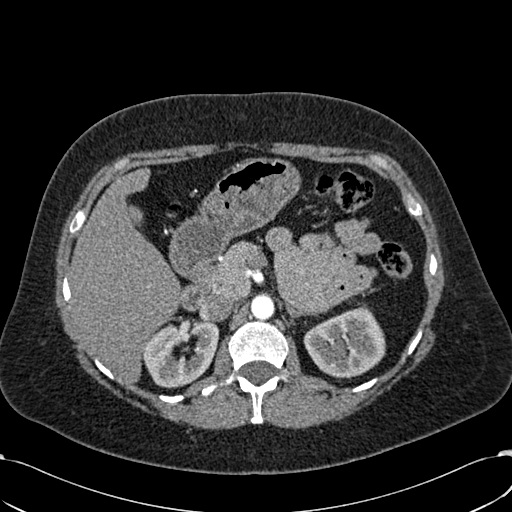
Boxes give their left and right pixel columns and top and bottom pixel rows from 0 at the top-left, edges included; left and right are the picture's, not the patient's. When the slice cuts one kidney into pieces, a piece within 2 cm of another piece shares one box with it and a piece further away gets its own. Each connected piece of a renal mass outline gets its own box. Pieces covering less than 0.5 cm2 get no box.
Slice 409/532 of a contrast-enhanced abdominal CT in the arterial phase, counting up from the lowest; pixel size 0.713 mm, slice thickness 1.00 mm. Two kidney boxes on this slice; by box centre, from the image's left to its right: (1) Right kidney, the box with left 143, top 320, right 219, bottom 388 (outlined area 3,650 px, about 18.5 cm2). (2) Left kidney, the box with left 303, top 305, right 385, bottom 378 (outlined area 4,265 px, about 21.7 cm2). This slice carries no renal mass outline.
Tube voltage 120 kVp; convolution kernel B30f.